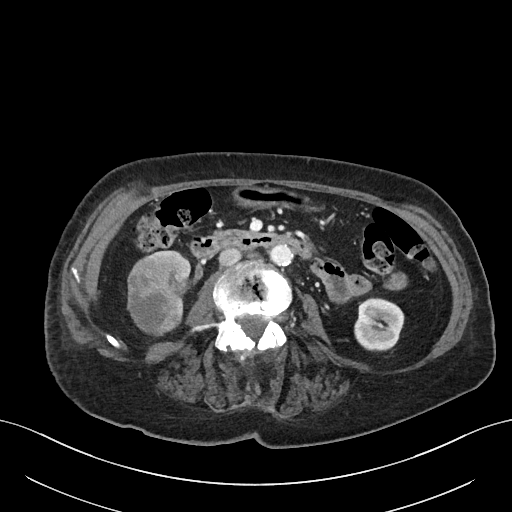
One axial slice (24 of 76, counting up from the lowest) of a contrast-enhanced abdominal CT acquired with 100 kVp, kernel I40f; each pixel is 0.768 mm and the slice is 3.00 mm thick.
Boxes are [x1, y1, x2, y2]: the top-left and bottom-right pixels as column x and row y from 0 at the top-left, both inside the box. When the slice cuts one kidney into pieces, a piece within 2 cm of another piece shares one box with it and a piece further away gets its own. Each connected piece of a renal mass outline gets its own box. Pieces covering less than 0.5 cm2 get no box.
Boxed on this slice (two kidney boxes and one renal mass box), listed by box centre from the image's left to its right: (1) Box [127, 256, 179, 336]: right renal mass (outlined area 3,152 px, about 18.6 cm2). (2) Right kidney, box [147, 250, 190, 322] (outlined area 1,208 px, about 7.1 cm2). (3) Left kidney at [354, 297, 404, 350] (outlined area 2,161 px, about 12.7 cm2).